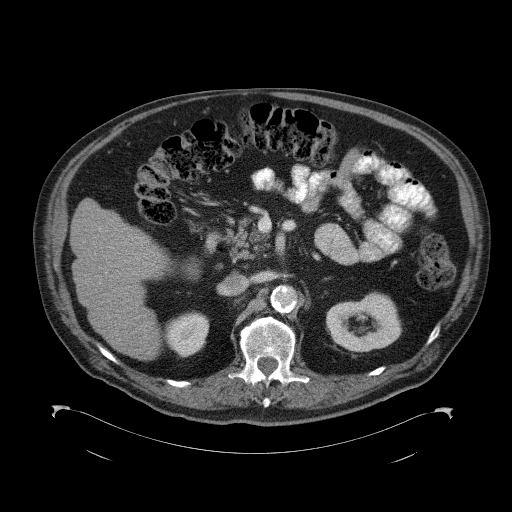
Axial slice 64 of 98 of a contrast-enhanced abdominal CT (slice 1 is the lowest), 120 kVp, kernel B41f; 5.00 mm slice thickness and 0.965 mm pixels.
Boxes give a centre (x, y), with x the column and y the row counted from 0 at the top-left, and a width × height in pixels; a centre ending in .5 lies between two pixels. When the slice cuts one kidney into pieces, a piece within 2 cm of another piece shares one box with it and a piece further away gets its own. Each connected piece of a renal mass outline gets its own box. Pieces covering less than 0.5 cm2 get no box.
Boxed on this slice (two kidney boxes), listed by box centre from the image's left to its right: (1) Right kidney in a box with centre (186.5, 334), 46 × 47 pixels (outlined area 1,587 px, about 14.8 cm2). (2) Left kidney, box centre (364, 322), 77 × 61 pixels (outlined area 3,335 px, about 31.0 cm2). No renal mass outline on this slice.